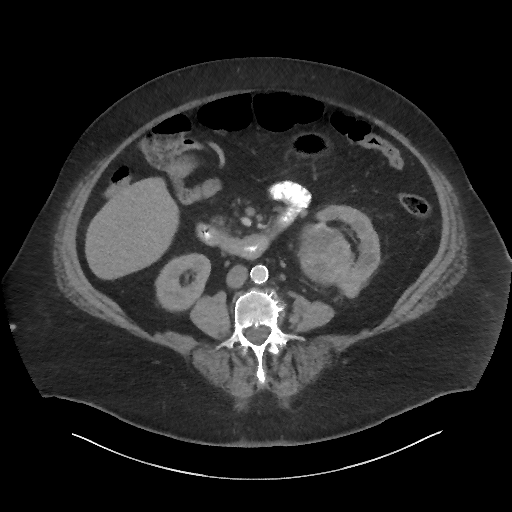
Abdominal CT with intravenous contrast, axial plane, 140 kVp, kernel I44f. Slice 24/86 from the bottom of the scan; thickness 3.00 mm; pixel size 0.977 mm.
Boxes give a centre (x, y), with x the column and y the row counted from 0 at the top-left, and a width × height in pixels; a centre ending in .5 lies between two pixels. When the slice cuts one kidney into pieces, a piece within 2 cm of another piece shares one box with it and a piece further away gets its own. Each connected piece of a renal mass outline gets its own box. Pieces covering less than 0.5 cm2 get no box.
Two kidney boxes and one renal mass box on this slice; by box centre, from the image's left to its right: (1) Box centre (182.5, 282), 56 × 59 pixels: right kidney (outlined area 2,379 px, about 22.7 cm2). (2) Left renal mass in a box with centre (325, 253.5), 57 × 66 pixels (outlined area 2,698 px, about 25.7 cm2). (3) Box centre (346.5, 251), 68 × 95 pixels: left kidney (outlined area 2,850 px, about 27.2 cm2).